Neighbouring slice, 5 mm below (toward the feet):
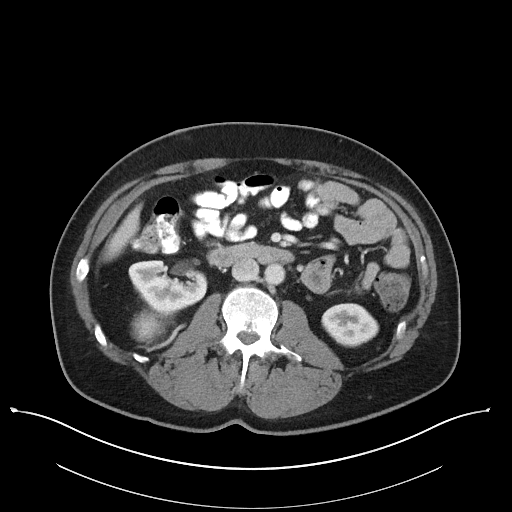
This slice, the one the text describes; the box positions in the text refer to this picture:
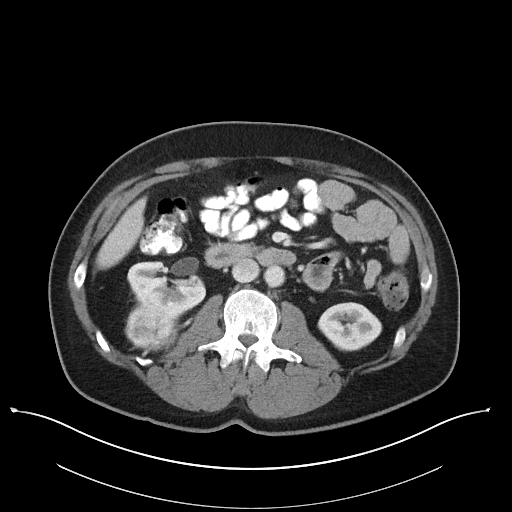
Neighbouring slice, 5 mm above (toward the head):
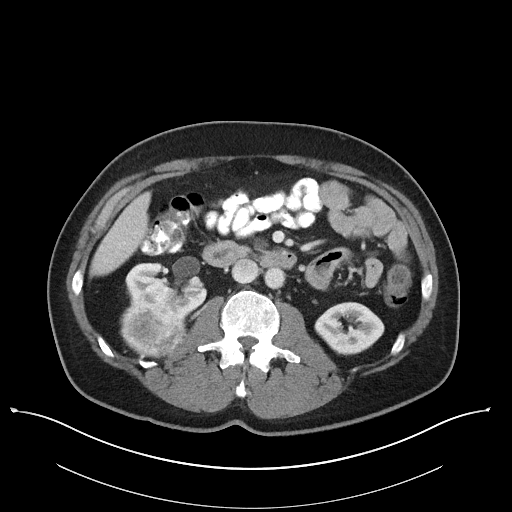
One axial slice (64 of 101, counting up from the lowest) of a contrast-enhanced abdominal CT acquired with 100 kVp, kernel I40f; each pixel is 0.879 mm and the slice is 5.00 mm thick.
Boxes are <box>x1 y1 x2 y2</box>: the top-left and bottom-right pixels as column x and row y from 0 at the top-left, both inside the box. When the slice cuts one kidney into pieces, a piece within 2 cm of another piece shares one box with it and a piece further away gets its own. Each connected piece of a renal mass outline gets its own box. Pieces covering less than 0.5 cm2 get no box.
Two kidney boxes and one renal mass box on this slice; by box centre, from the image's left to its right: (1) At <box>125 304 177 351</box>: right renal mass (outlined area 2,053 px, about 15.9 cm2). (2) Right kidney at <box>127 260 205 321</box> (outlined area 3,007 px, about 23.2 cm2). (3) Left kidney at <box>317 302 382 350</box> (outlined area 2,291 px, about 17.7 cm2). This slice is near the end of the right renal mass toward the feet, so the slices 5 mm below and 5 mm above it are shown as well; the boxes refer to this slice only.